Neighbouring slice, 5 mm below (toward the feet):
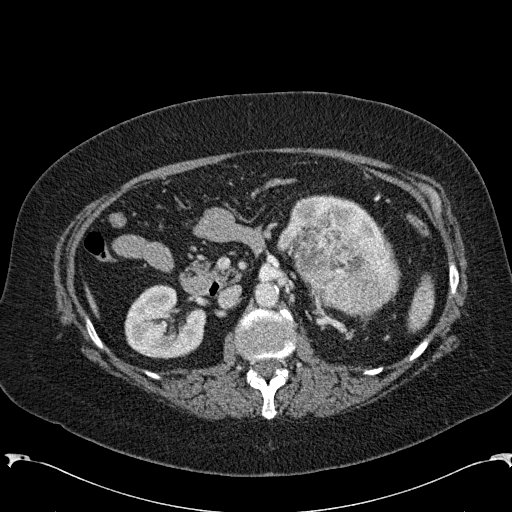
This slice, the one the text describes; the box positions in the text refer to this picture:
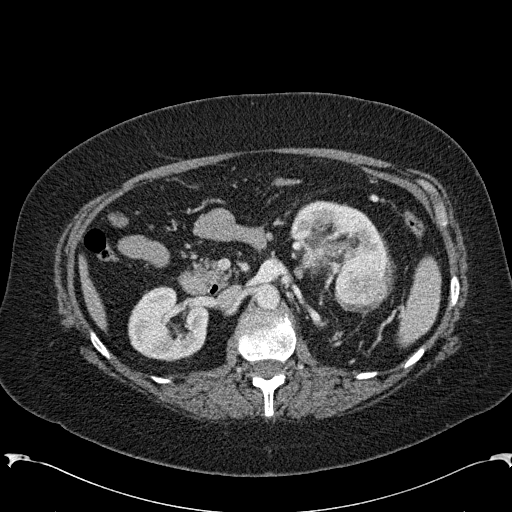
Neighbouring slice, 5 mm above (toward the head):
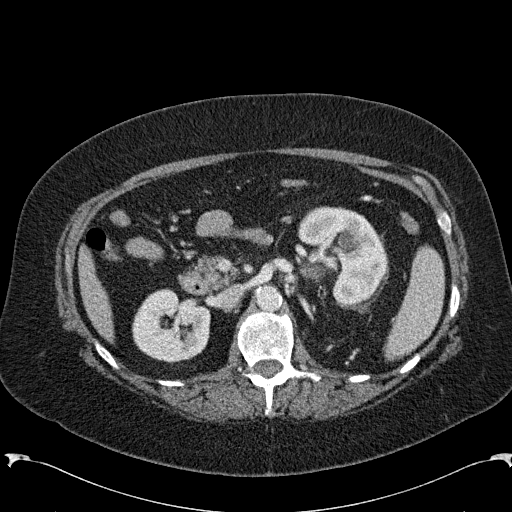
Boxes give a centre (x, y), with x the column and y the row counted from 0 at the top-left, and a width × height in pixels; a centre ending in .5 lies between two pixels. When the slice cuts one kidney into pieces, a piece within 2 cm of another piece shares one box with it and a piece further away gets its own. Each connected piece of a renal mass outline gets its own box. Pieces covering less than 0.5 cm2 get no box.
Slice 141/285 of a contrast-enhanced abdominal CT in the arterial phase, counting up from the lowest; pixel size 0.762 mm, slice thickness 2.00 mm. Boxed on this slice (two kidney boxes and one renal mass box), listed by box centre from the image's left to its right: (1) Right kidney, box centre (168, 323.5), 81 × 76 pixels (outlined area 4,576 px, about 26.6 cm2). (2) Left kidney in a box with centre (340, 237.5), 101 × 76 pixels (outlined area 3,903 px, about 22.6 cm2). (3) Box centre (355.5, 275), 76 × 73 pixels: left renal mass (outlined area 3,881 px, about 22.5 cm2). This slice is near the end of the left renal mass toward the head, so the slices 5 mm below and 5 mm above it are shown as well; the boxes refer to this slice only.
Acquired at 120 kVp and reconstructed with the B31f kernel.